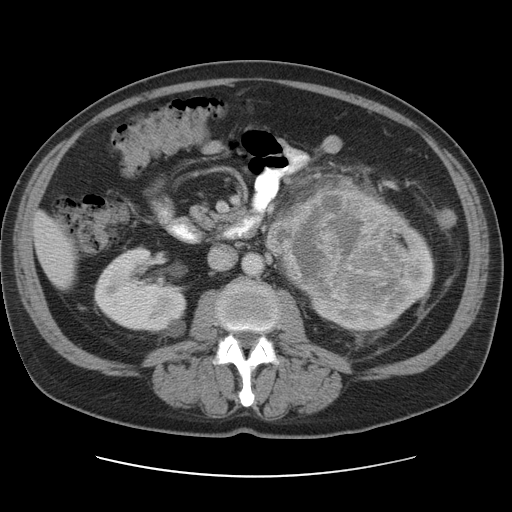
Abdominal CT with intravenous contrast, axial plane, 120 kVp, kernel STANDARD. Slice 58/95 from the bottom of the scan; thickness 5.00 mm; pixel size 0.781 mm.
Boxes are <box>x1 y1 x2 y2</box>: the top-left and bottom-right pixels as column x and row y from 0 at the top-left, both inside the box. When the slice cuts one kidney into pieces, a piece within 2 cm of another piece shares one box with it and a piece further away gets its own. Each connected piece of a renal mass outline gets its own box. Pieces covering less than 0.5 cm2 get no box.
Boxed on this slice (two kidney boxes and one renal mass box), listed by box centre from the image's left to its right: (1) At <box>93 246 186 337</box>: right kidney (outlined area 5,960 px, about 36.4 cm2). (2) Left renal mass: <box>266 184 402 299</box> (outlined area 12,504 px, about 76.3 cm2). (3) At <box>308 203 434 332</box>: left kidney (outlined area 5,150 px, about 31.4 cm2).